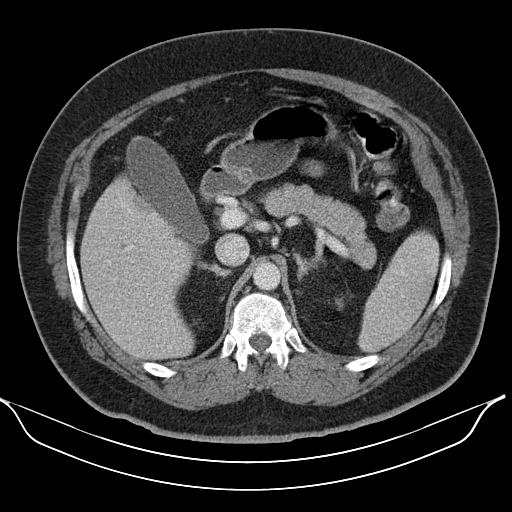
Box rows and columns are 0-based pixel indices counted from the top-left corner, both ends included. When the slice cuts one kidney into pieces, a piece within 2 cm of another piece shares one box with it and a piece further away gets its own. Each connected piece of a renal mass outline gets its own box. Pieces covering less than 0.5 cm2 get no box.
This is axial slice 80 of 110 (slice 1 is the lowest) of an arterial-phase abdominal CT with contrast; each pixel is 0.836 mm and the slice is 5.00 mm thick. Left kidney, box rows 298–309, columns 335–343 (outlined area 82 px, about 0.6 cm2). No renal mass outline on this slice.
Scan settings: 130 kVp, B30s reconstruction kernel.